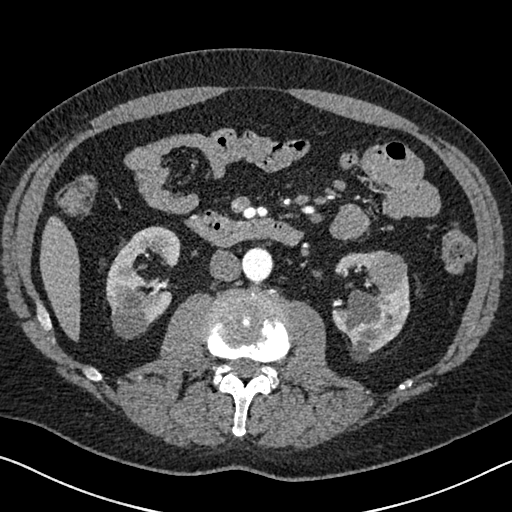
One axial slice (347 of 626, counting up from the lowest) of an arterial-phase abdominal CT acquired with 120 kVp, kernel I30f; each pixel is 0.703 mm and the slice is 1.00 mm thick.
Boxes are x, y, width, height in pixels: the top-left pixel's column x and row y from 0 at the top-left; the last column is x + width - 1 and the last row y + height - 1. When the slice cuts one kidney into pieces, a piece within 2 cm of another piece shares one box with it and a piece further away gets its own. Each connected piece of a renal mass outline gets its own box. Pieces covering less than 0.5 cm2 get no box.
Two kidney boxes and one renal mass box on this slice; by box centre, from the image's left to its right: (1) Right kidney at x 106, y 226, width 74, height 114 (outlined area 5,279 px, about 26.1 cm2). (2) Left kidney at x 331, y 251, width 80, height 111 (outlined area 4,654 px, about 23.0 cm2). (3) Left renal mass at x 367, y 250, width 41, height 44 (outlined area 1,267 px, about 6.3 cm2).